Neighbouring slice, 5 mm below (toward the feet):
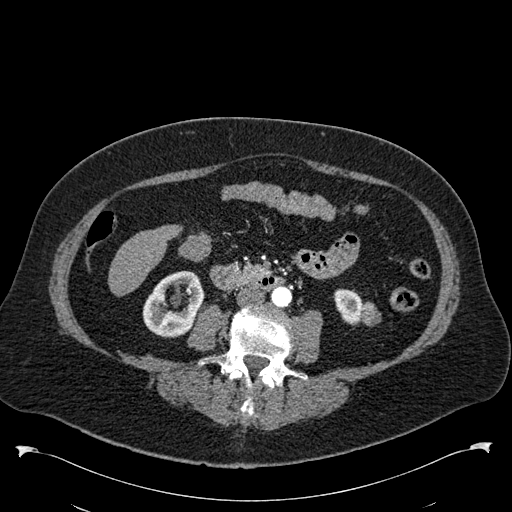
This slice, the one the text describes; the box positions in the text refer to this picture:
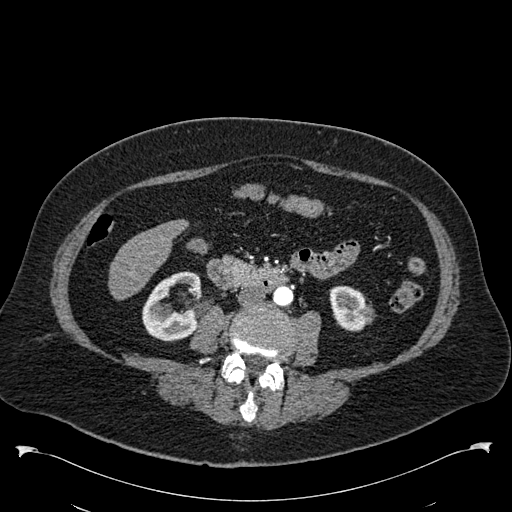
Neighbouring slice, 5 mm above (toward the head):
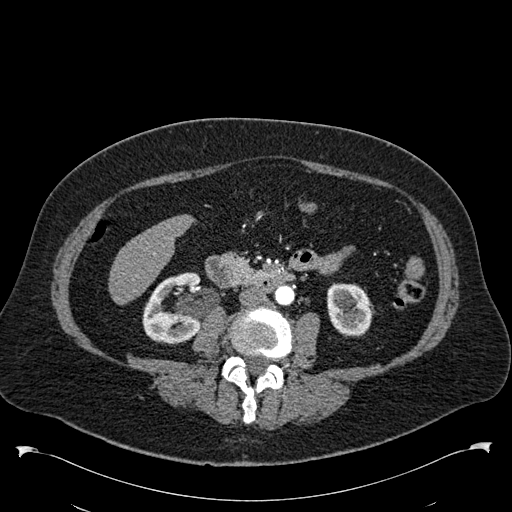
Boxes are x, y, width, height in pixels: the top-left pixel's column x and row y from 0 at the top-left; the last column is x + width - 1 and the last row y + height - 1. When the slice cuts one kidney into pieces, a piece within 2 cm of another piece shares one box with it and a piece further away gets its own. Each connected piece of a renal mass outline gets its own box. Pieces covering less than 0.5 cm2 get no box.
This is axial slice 250 of 538 (slice 1 is the lowest) of an arterial-phase abdominal CT with contrast; each pixel is 0.811 mm and the slice is 1.00 mm thick. Two kidney boxes and one renal mass box on this slice; by box centre, from the image's left to its right: (1) Box x 142, y 271, width 60, height 71: right kidney (outlined area 2,884 px, about 18.9 cm2). (2) Left kidney, box x 329, y 285, width 40, height 47 (outlined area 1,420 px, about 9.3 cm2). (3) Box x 363, y 303, width 13, height 21: left renal mass (outlined area 132 px, about 0.9 cm2). This slice is near the end of the left renal mass toward the head, so the slices 5 mm below and 5 mm above it are shown as well; the boxes refer to this slice only.
Scan settings: 120 kVp, B30f reconstruction kernel.